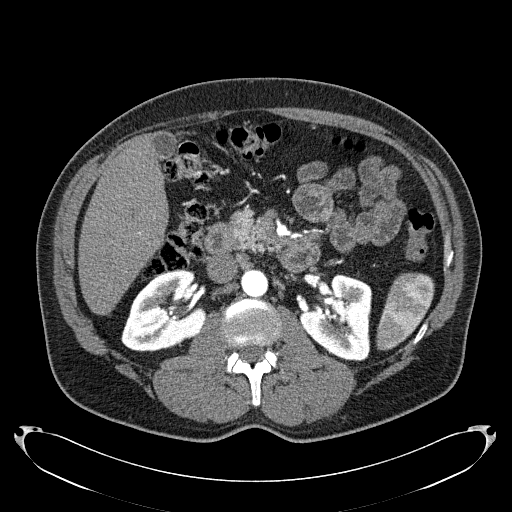
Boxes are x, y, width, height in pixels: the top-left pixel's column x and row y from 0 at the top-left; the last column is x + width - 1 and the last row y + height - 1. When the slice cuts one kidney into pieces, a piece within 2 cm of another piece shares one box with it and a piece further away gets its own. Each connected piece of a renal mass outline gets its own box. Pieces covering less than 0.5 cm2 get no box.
This is axial slice 120 of 279 (slice 1 is the lowest) of an arterial-phase abdominal CT with contrast; each pixel is 0.824 mm and the slice is 2.00 mm thick. Boxed on this slice (two kidney boxes), listed by box centre from the image's left to its right: (1) Right kidney, box x 121, y 269, width 87, height 83 (outlined area 5,085 px, about 34.5 cm2). (2) Left kidney, box x 299, y 274, width 74, height 88 (outlined area 4,622 px, about 31.4 cm2). This slice carries no renal mass outline.
Scan settings: 120 kVp, B31f reconstruction kernel.